Abdominal CT with intravenous contrast, arterial phase, axial plane, 120 kVp, kernel B20f. Slice 567/719 from the bottom of the scan; thickness 1.00 mm; pixel size 0.766 mm.
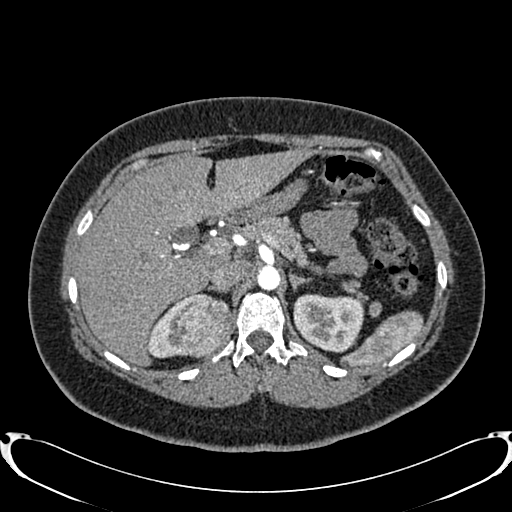
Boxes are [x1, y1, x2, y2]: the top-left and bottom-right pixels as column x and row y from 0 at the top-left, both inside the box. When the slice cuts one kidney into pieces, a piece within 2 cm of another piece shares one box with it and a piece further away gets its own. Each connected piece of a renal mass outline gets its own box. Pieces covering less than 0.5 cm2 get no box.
Three boxes on this slice (two kidney boxes and one renal mass box), listed by box centre from the image's left to its right. (1) Right kidney, box [146, 292, 201, 358] (outlined area 1,022 px, about 6.0 cm2). (2) Right renal mass, box [166, 293, 231, 358] (outlined area 3,126 px, about 18.3 cm2). (3) Left kidney at [293, 294, 364, 351] (outlined area 3,357 px, about 19.7 cm2).